Axial slice 539 of 673 of a contrast-enhanced abdominal CT in the arterial phase (slice 1 is the lowest), 140 kVp, kernel I30f; 1.00 mm slice thickness and 0.957 mm pixels.
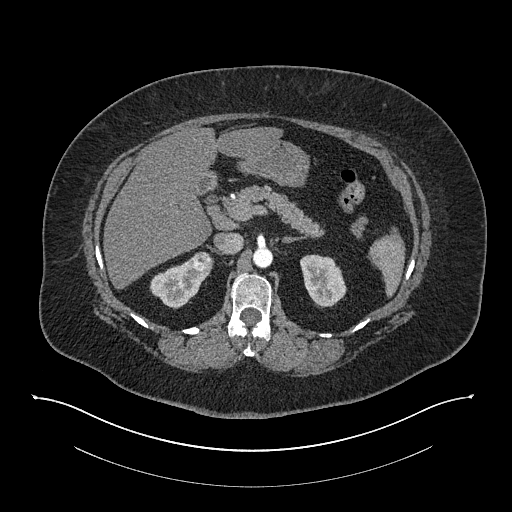
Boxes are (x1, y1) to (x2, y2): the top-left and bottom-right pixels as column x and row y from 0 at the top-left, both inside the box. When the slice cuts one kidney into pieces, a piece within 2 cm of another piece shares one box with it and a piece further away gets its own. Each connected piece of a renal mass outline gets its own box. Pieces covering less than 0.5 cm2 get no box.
Two kidney boxes and one renal mass box on this slice; by box centre, from the image's left to its right: (1) Right kidney from (149, 258) to (212, 309) (outlined area 1,783 px, about 16.3 cm2). (2) Right renal mass from (191, 251) to (213, 270) (outlined area 336 px, about 3.1 cm2). (3) Box (300, 254) to (346, 307): left kidney (outlined area 1,839 px, about 16.8 cm2).